Axial slice 357 of 705 of a contrast-enhanced abdominal CT in the arterial phase (slice 1 is the lowest), 120 kVp, kernel I30f; 1.00 mm slice thickness and 0.703 mm pixels.
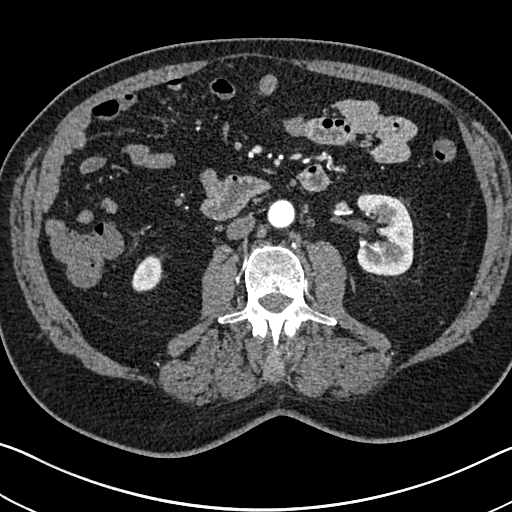
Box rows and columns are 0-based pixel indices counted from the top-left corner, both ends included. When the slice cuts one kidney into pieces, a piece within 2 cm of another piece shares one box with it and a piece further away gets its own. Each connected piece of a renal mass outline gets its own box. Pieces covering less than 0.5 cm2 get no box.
Two boxes on this slice (two kidney boxes), listed by box centre from the image's left to its right. (1) Right kidney, box rows 255–292, columns 131–161 (outlined area 818 px, about 4.0 cm2). (2) Left kidney, box rows 193–276, columns 356–413 (outlined area 3,926 px, about 19.4 cm2). No renal mass outline on this slice.